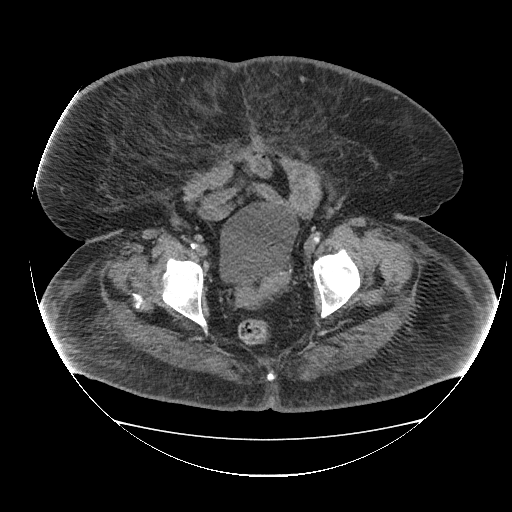
Axial slice 20 of 85 of a contrast-enhanced abdominal CT in the arterial phase (slice 1 is the lowest), 120 kVp, kernel FC19; 5.00 mm slice thickness and 1.041 mm pixels.
No kidney and no renal mass is outlined on this slice; the outlines in this scan cover only the kidneys and the renal masses, so nothing is said about any other organ.